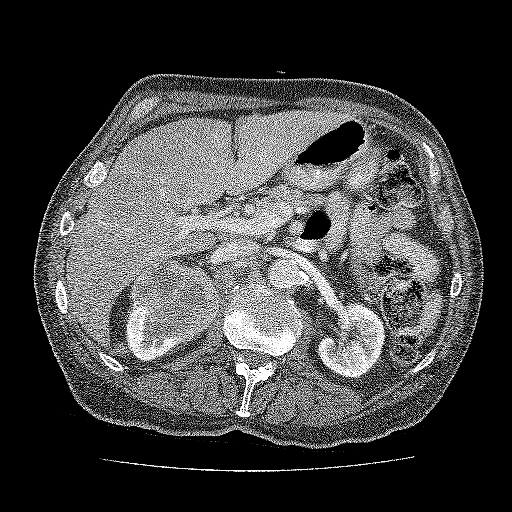
Axial slice 104 of 137 of a contrast-enhanced abdominal CT (slice 1 is the lowest), 120 kVp, kernel FC52; 3.00 mm slice thickness and 0.741 mm pixels.
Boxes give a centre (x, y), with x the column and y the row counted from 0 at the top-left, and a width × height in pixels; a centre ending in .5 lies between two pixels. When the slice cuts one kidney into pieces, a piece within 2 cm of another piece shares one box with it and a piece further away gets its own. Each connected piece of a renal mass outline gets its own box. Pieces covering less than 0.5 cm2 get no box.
Boxed on this slice (two kidney boxes and one renal mass box), listed by box centre from the image's left to its right: (1) Kidney, box centre (155.5, 327), 62 × 71 pixels (outlined area 1,741 px, about 9.6 cm2). (2) Renal mass in a box with centre (174.5, 301.5), 90 × 82 pixels (outlined area 5,416 px, about 29.7 cm2). (3) Kidney, box centre (351.5, 341), 70 × 75 pixels (outlined area 3,632 px, about 19.9 cm2).